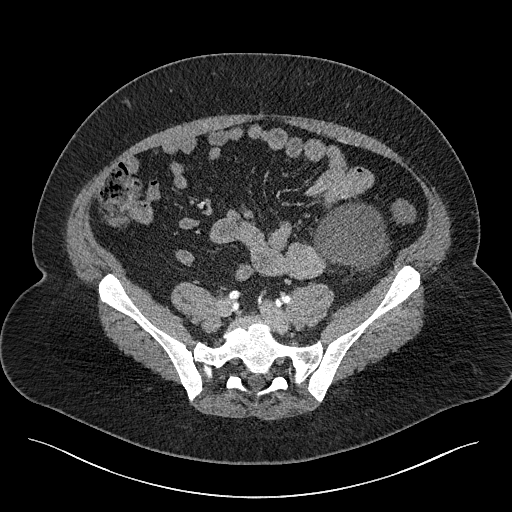
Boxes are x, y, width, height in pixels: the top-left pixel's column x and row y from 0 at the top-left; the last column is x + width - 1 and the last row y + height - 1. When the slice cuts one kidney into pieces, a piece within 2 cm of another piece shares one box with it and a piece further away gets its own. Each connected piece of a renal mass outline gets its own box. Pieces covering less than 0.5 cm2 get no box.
This is axial slice 29 of 301 (slice 1 is the lowest) of an abdominal CT with contrast; each pixel is 0.859 mm and the slice is 2.00 mm thick. Left renal mass at x 313, y 203, width 78, height 67 (outlined area 3,888 px, about 28.7 cm2); no kidney outline appears on this slice, but the same outlined renal mass comes within 1 cm of the kidney on another slice.
Scan settings: 120 kVp, I40f reconstruction kernel.